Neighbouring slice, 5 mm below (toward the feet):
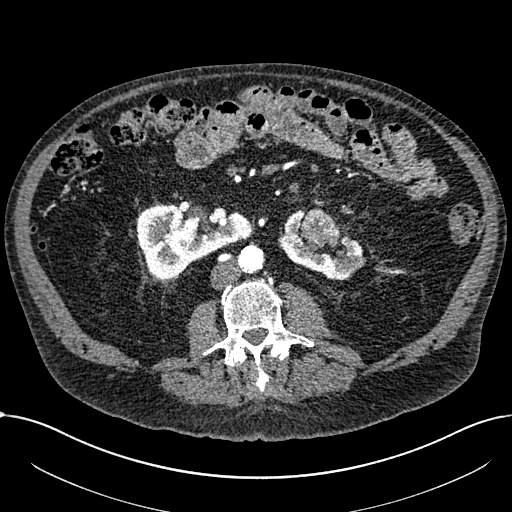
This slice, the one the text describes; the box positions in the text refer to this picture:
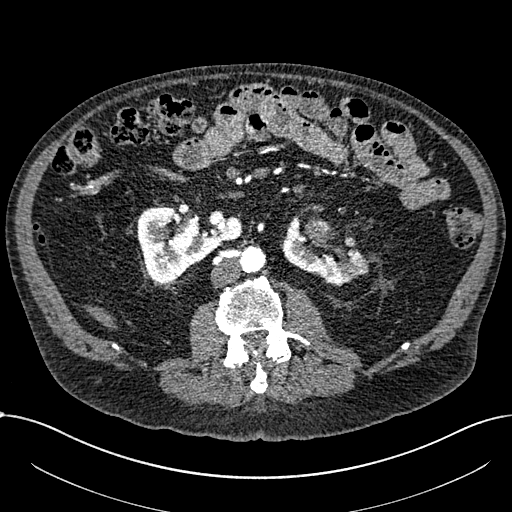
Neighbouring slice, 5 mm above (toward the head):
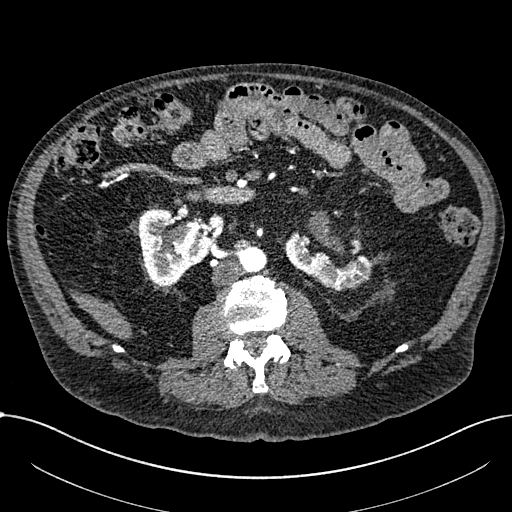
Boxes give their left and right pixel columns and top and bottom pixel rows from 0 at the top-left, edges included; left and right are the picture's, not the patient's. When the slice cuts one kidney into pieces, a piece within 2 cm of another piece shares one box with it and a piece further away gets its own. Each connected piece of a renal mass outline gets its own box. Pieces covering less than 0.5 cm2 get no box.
Slice 339/1059 of a contrast-enhanced abdominal CT in the arterial phase, counting up from the lowest; pixel size 0.811 mm, slice thickness 1.00 mm. Boxed on this slice (two kidney boxes and one renal mass box), listed by box centre from the image's left to its right: (1) Right part of the midline-crossing kidney, the box with left 136, top 206, right 242, bottom 281 (outlined area 5,162 px, about 33.9 cm2). (2) Left part of the midline-crossing kidney in the box with left 280, top 217, right 367, bottom 286 (outlined area 2,650 px, about 17.4 cm2). (3) Box with left 303, top 216, right 345, bottom 260: renal mass (outlined area 892 px, about 5.9 cm2). This slice lies near the end of a renal mass toward the head; the slices 5 mm below and 5 mm above it are shown too, and the boxes mark positions on this slice only.
Scan settings: 100 kVp, I30f reconstruction kernel.